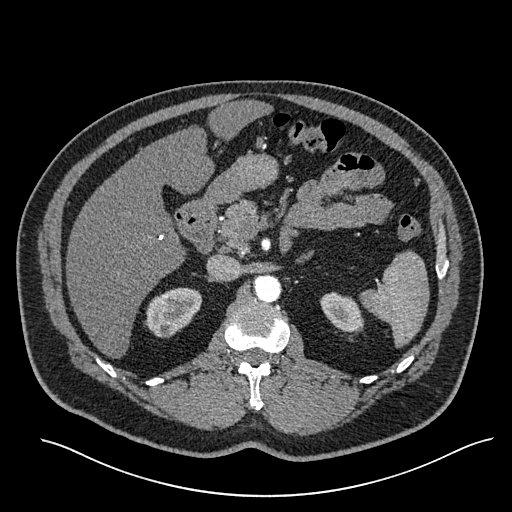
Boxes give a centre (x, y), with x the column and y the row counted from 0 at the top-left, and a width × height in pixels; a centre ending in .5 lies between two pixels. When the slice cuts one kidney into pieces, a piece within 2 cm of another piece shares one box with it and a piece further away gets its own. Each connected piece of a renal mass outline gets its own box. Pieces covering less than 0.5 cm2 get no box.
This is axial slice 386 of 527 (slice 1 is the lowest) of an arterial-phase abdominal CT with contrast; each pixel is 0.859 mm and the slice is 1.00 mm thick. Two kidney boxes on this slice; by box centre, from the image's left to its right: (1) Box centre (173, 312), 59 × 51 pixels: right kidney (outlined area 2,077 px, about 15.3 cm2). (2) Box centre (341, 311), 43 × 41 pixels: left kidney (outlined area 1,238 px, about 9.1 cm2). This slice carries no renal mass outline.
Scan settings: 120 kVp, I30f reconstruction kernel.